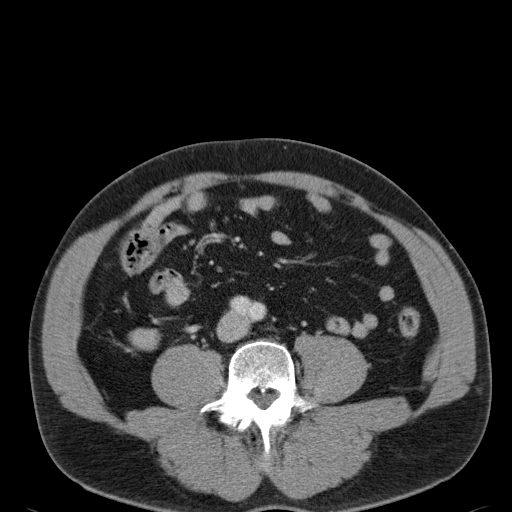
Contrast-enhanced abdominal CT, axial slice 50 of 107 (counted from the lowest slice); 5.00 mm thick, 0.730 mm per pixel. Neither a kidney nor a renal mass is outlined here. Only kidneys and renal masses are outlined anywhere in this scan; other structures are never outlined.
Acquired at 120 kVp and reconstructed with the B31f kernel.